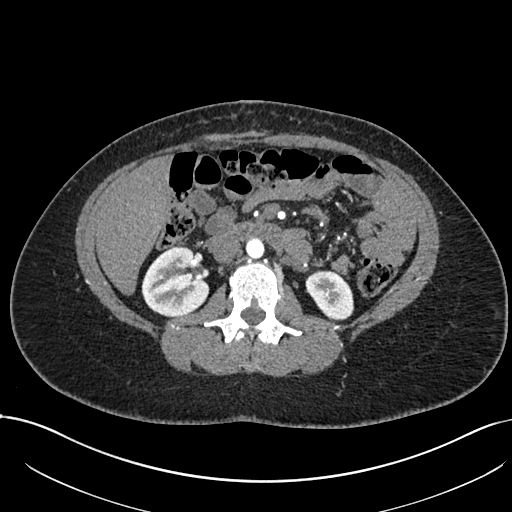
Abdominal CT with intravenous contrast, arterial phase, axial plane, 120 kVp, kernel I30f. Slice 404/738 from the bottom of the scan; thickness 1.00 mm; pixel size 0.789 mm.
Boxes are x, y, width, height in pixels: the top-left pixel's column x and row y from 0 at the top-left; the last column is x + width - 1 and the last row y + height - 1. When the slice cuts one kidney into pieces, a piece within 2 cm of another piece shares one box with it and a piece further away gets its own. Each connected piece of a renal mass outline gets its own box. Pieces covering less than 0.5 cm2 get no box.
Two boxes on this slice (two kidney boxes), listed by box centre from the image's left to its right. (1) Right kidney at x 141, y 246, width 68, height 71 (outlined area 3,582 px, about 22.3 cm2). (2) Left kidney, box x 305, y 270, width 50, height 51 (outlined area 1,797 px, about 11.2 cm2). No renal mass outline on this slice.